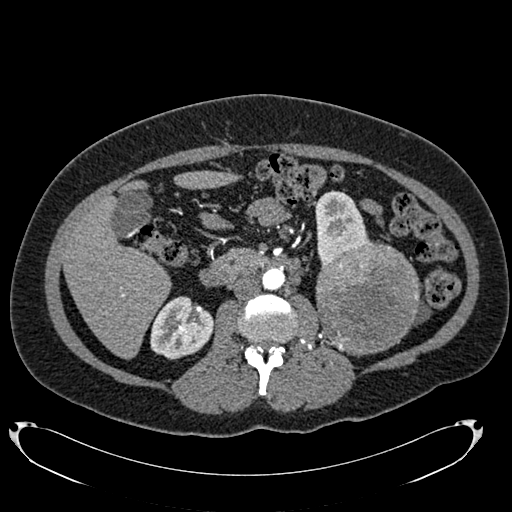
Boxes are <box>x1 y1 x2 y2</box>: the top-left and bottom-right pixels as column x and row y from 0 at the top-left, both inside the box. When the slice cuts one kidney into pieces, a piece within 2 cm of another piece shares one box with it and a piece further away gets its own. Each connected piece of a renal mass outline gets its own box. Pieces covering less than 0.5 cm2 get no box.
Slice 399/634 of a contrast-enhanced abdominal CT in the arterial phase, counting up from the lowest; pixel size 0.838 mm, slice thickness 1.00 mm. Boxed on this slice (two kidney boxes and one renal mass box), listed by box centre from the image's left to its right: (1) Right kidney: <box>150 296 213 359</box> (outlined area 2,998 px, about 21.0 cm2). (2) At <box>315 190 373 265</box>: left kidney (outlined area 2,690 px, about 18.9 cm2). (3) Left renal mass: <box>315 242 419 356</box> (outlined area 9,489 px, about 66.6 cm2).
Acquired at 120 kVp and reconstructed with the B20f kernel.